One axial slice (455 of 787, counting up from the lowest) of a contrast-enhanced abdominal CT acquired with 140 kVp, kernel I30f; each pixel is 0.910 mm and the slice is 1.00 mm thick.
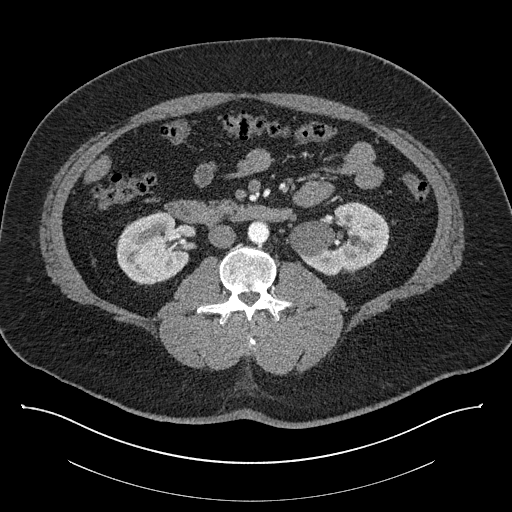
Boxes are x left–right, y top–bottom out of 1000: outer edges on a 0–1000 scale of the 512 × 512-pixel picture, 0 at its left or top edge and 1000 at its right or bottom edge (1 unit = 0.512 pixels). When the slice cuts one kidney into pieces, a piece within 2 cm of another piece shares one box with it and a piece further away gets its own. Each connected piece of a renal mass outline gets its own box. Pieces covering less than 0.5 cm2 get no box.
Two boxes on this slice (two kidney boxes), listed by box centre from the image's left to its right. (1) Box x 227–371, y 412–559 out of 1000: right kidney (outlined area 4,046 px, about 33.5 cm2). (2) Box x 563–762, y 393–537 out of 1000: left kidney (outlined area 5,100 px, about 42.2 cm2). No renal mass outline on this slice.